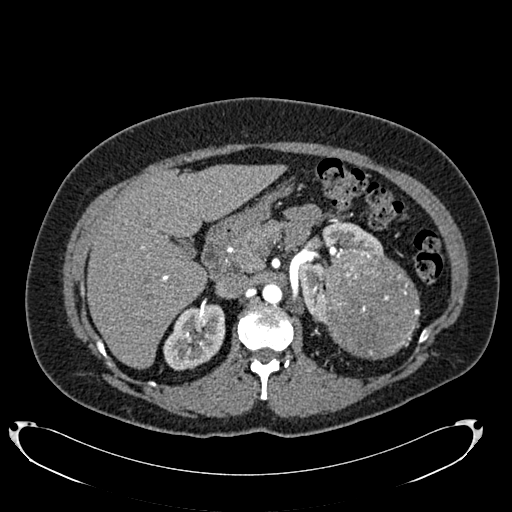
Axial slice 480 of 634 of a contrast-enhanced abdominal CT in the arterial phase (slice 1 is the lowest), 120 kVp, kernel B20f; 1.00 mm slice thickness and 0.838 mm pixels.
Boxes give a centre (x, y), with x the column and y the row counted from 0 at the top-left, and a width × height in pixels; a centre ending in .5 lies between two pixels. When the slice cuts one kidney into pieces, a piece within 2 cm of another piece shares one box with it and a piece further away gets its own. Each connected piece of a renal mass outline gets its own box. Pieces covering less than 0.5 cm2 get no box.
Three boxes on this slice (two kidney boxes and one renal mass box), listed by box centre from the image's left to its right. (1) Box centre (194, 337), 63 × 67 pixels: right kidney (outlined area 3,066 px, about 21.5 cm2). (2) Left kidney in a box with centre (340.5, 273), 88 × 103 pixels (outlined area 3,471 px, about 24.4 cm2). (3) Box centre (372.5, 306.5), 96 × 106 pixels: left renal mass (outlined area 8,127 px, about 57.1 cm2).